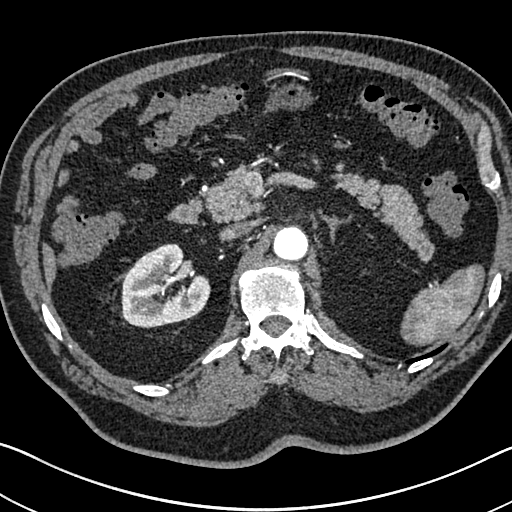
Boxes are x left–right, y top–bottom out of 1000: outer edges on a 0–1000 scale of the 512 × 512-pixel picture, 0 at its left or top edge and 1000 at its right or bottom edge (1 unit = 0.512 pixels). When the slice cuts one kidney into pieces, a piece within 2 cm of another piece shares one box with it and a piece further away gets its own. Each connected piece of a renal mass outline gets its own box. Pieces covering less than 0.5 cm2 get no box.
This is axial slice 481 of 705 (slice 1 is the lowest) of an arterial-phase abdominal CT with contrast; each pixel is 0.703 mm and the slice is 1.00 mm thick. Right kidney, box x 236–412, y 475–643 out of 1000 (outlined area 5,487 px, about 27.1 cm2). This slice carries no renal mass outline.
Scan settings: 120 kVp, I30f reconstruction kernel.